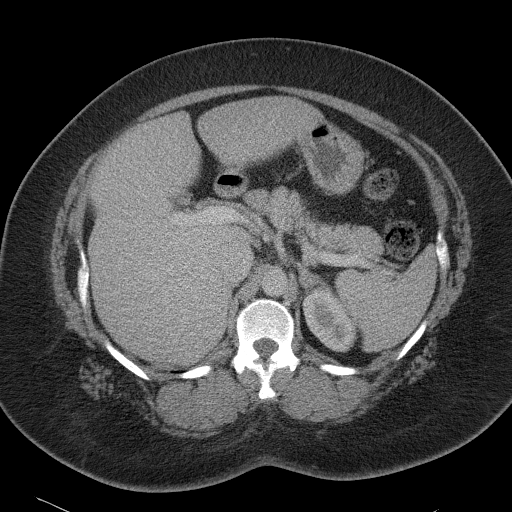
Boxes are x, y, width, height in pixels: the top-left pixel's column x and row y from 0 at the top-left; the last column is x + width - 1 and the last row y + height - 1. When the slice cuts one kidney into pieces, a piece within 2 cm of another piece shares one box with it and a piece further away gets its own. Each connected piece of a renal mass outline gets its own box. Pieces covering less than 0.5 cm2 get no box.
Slice 71/90 of a contrast-enhanced abdominal CT, counting up from the lowest; pixel size 0.781 mm, slice thickness 5.00 mm. Left kidney at x 302, y 288, width 56, height 65 (outlined area 2,322 px, about 14.2 cm2). No renal mass outline on this slice.
Tube voltage 120 kVp; convolution kernel B41f.